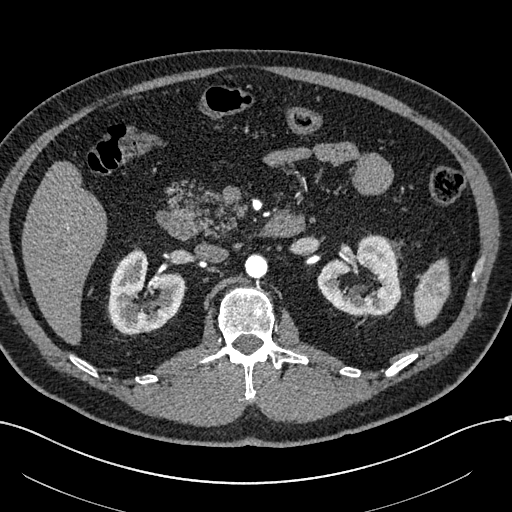
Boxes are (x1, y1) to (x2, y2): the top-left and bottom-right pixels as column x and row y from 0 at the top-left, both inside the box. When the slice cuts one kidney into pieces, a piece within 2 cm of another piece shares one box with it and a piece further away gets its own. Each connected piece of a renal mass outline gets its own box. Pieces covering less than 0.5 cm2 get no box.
This is axial slice 363 of 602 (slice 1 is the lowest) of an arterial-phase abdominal CT with contrast; each pixel is 0.799 mm and the slice is 1.00 mm thick. Two kidney boxes on this slice; by box centre, from the image's left to its right: (1) Box (108, 248) to (184, 335): right kidney (outlined area 4,558 px, about 29.1 cm2). (2) Left kidney from (317, 235) to (401, 315) (outlined area 4,596 px, about 29.3 cm2). No renal mass outline on this slice.
Scan settings: 120 kVp, I30f reconstruction kernel.